Axial slice 291 of 581 of a contrast-enhanced abdominal CT in the arterial phase (slice 1 is the lowest), 120 kVp, kernel B30f; 1.00 mm slice thickness and 0.713 mm pixels.
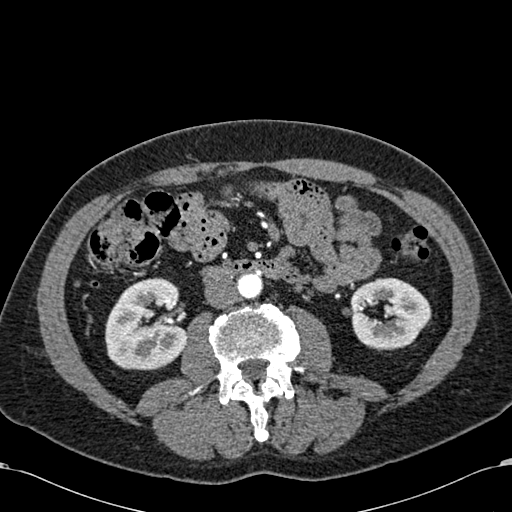
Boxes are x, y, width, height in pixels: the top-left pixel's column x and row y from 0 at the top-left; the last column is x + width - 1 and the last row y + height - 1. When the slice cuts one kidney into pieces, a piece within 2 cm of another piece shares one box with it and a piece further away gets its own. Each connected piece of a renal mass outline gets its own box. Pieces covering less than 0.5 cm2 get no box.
Two boxes on this slice (two kidney boxes), listed by box centre from the image's left to its right. (1) Box x 105, y 277, width 83, height 93: right kidney (outlined area 5,928 px, about 30.1 cm2). (2) Left kidney, box x 350, y 277, width 82, height 74 (outlined area 4,372 px, about 22.2 cm2). No renal mass is outlined on this slice.